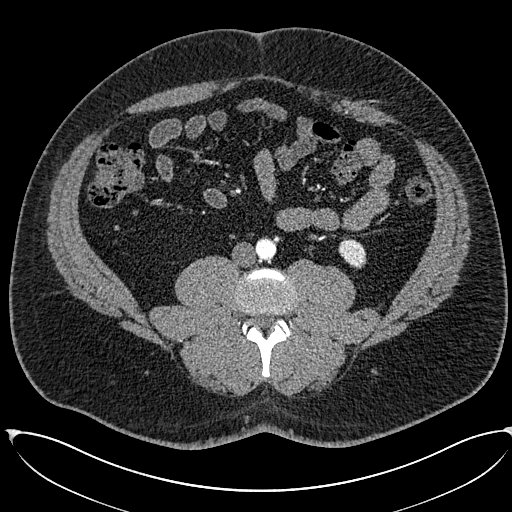
One axial slice (223 of 673, counting up from the lowest) of an arterial-phase abdominal CT acquired with 120 kVp, kernel I30f; each pixel is 0.855 mm and the slice is 1.00 mm thick.
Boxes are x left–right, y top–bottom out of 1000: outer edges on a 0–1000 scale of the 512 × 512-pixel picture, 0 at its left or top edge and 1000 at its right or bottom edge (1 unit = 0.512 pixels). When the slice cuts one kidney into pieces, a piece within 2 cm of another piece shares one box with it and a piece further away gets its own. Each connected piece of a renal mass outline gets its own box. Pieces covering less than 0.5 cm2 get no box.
Box x 660–717, y 463–525 out of 1000: left kidney (outlined area 636 px, about 4.7 cm2). No renal mass outline on this slice.